Contrast-enhanced abdominal CT, axial slice 507 of 834 (counted from the lowest slice); tube voltage 140 kVp, convolution kernel I30f; slices 1.00 mm thick, 0.977 mm per pixel.
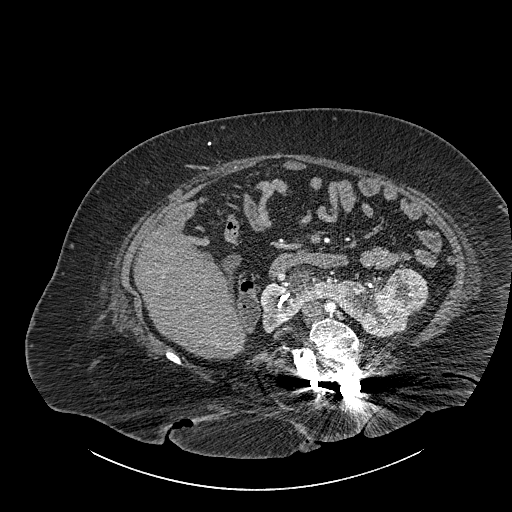
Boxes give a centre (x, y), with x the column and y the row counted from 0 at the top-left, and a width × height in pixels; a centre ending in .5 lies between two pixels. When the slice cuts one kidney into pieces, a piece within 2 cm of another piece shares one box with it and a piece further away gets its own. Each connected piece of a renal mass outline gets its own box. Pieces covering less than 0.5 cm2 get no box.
Boxed on this slice (one kidney box and one renal mass box), listed by box centre from the image's left to its right: (1) Box centre (336.5, 301.5), 156 × 74 pixels: kidney crossing the body midline (outlined area 5,490 px, about 52.4 cm2). (2) Renal mass in a box with centre (406.5, 291.5), 44 × 46 pixels (outlined area 1,642 px, about 15.7 cm2).